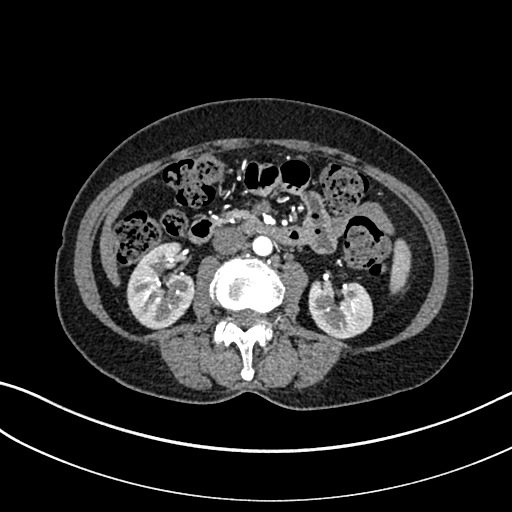
One axial slice (133 of 325, counting up from the lowest) of an arterial-phase abdominal CT acquired with 100 kVp, kernel I30f; each pixel is 0.703 mm and the slice is 1.00 mm thick.
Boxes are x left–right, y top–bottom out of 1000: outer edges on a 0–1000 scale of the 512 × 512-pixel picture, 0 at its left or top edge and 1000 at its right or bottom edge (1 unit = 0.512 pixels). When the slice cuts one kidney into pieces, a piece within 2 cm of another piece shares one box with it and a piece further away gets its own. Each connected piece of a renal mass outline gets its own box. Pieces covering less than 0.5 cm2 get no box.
Boxed on this slice (two kidney boxes), listed by box centre from the image's left to its right: (1) Right kidney at x 246–383, y 473–645 out of 1000 (outlined area 4,381 px, about 21.7 cm2). (2) Left kidney, box x 602–730, y 545–662 out of 1000 (outlined area 3,046 px, about 15.1 cm2). No renal mass outline on this slice.